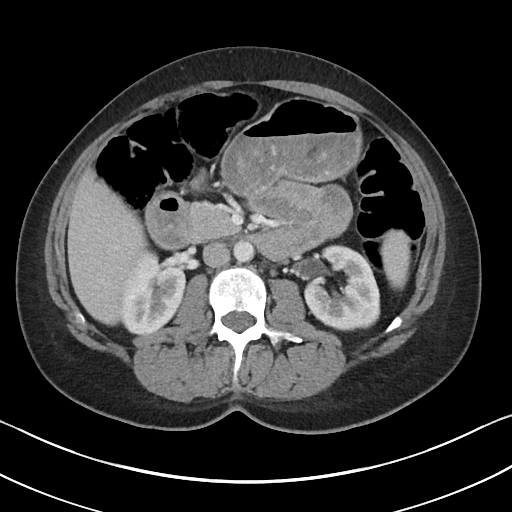
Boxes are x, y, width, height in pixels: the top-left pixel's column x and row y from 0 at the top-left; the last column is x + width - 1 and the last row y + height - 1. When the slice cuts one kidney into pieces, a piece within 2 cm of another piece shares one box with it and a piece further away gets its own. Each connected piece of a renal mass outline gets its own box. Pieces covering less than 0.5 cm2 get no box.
Slice 61/90 of a contrast-enhanced abdominal CT in the arterial phase, counting up from the lowest; pixel size 0.703 mm, slice thickness 5.00 mm. Two kidney boxes on this slice; by box centre, from the image's left to its right: (1) Right kidney, box x 118, y 245, width 69, height 91 (outlined area 4,456 px, about 22.0 cm2). (2) Left kidney at x 303, y 245, width 78, height 86 (outlined area 4,802 px, about 23.7 cm2). No renal mass outline on this slice.
Tube voltage 100 kVp; convolution kernel I40f.